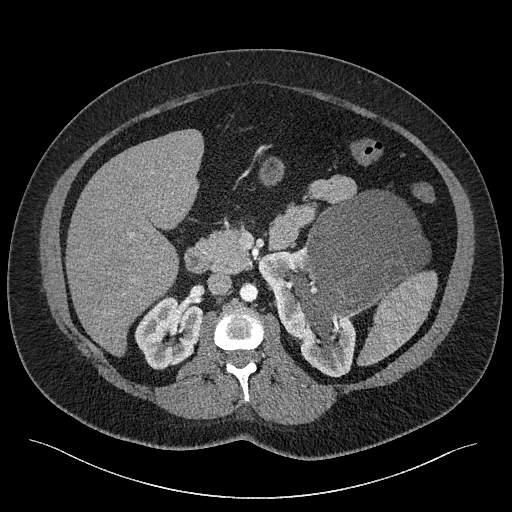
Contrast-enhanced abdominal CT, axial slice 143 of 301 (counted from the lowest slice); tube voltage 120 kVp, convolution kernel I40f; slices 2.00 mm thick, 0.859 mm per pixel.
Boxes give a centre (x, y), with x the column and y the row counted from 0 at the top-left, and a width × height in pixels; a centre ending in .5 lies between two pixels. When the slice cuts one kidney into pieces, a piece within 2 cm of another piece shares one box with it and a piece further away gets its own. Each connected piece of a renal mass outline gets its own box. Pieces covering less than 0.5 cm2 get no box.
Two kidney boxes and one renal mass box on this slice; by box centre, from the image's left to its right: (1) Box centre (168.5, 332.5), 70 × 74 pixels: right kidney (outlined area 3,555 px, about 26.3 cm2). (2) Left kidney, box centre (306.5, 312), 98 × 131 pixels (outlined area 4,726 px, about 34.9 cm2). (3) Left renal mass, box centre (358.5, 264), 144 × 149 pixels (outlined area 12,717 px, about 93.9 cm2).